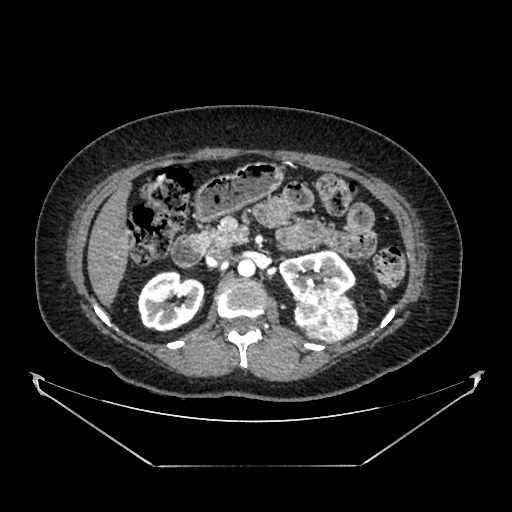
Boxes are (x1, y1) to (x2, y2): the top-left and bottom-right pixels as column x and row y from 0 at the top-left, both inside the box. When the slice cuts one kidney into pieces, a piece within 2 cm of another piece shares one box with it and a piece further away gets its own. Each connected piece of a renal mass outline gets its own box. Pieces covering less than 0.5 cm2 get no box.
Slice 242/383 of a contrast-enhanced abdominal CT in the arterial phase, counting up from the lowest; pixel size 0.898 mm, slice thickness 1.25 mm. Three boxes on this slice (two kidney boxes and one renal mass box), listed by box centre from the image's left to its right. (1) Right kidney, box (137, 270) to (204, 331) (outlined area 3,152 px, about 25.4 cm2). (2) Left kidney from (278, 249) to (355, 301) (outlined area 2,707 px, about 21.9 cm2). (3) Left renal mass, box (294, 290) to (358, 343) (outlined area 2,653 px, about 21.4 cm2).
Tube voltage 100 kVp; convolution kernel SOFT.